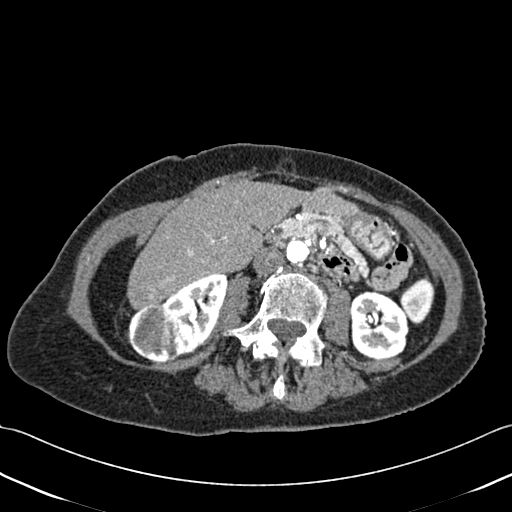
Contrast-enhanced abdominal CT, axial slice 209 of 433 (counted from the lowest slice); tube voltage 120 kVp, convolution kernel B30f; slices 1.00 mm thick, 0.672 mm per pixel.
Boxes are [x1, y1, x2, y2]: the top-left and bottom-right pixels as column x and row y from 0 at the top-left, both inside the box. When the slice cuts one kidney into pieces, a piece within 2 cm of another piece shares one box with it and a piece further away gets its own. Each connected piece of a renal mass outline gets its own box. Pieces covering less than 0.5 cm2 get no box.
Boxed on this slice (two kidney boxes and one renal mass box), listed by box centre from the image's left to its right: (1) Box [126, 303, 184, 361]: right renal mass (outlined area 2,641 px, about 11.9 cm2). (2) Box [163, 273, 228, 355]: right kidney (outlined area 2,922 px, about 13.2 cm2). (3) Left kidney at [350, 290, 408, 359] (outlined area 3,296 px, about 14.9 cm2).